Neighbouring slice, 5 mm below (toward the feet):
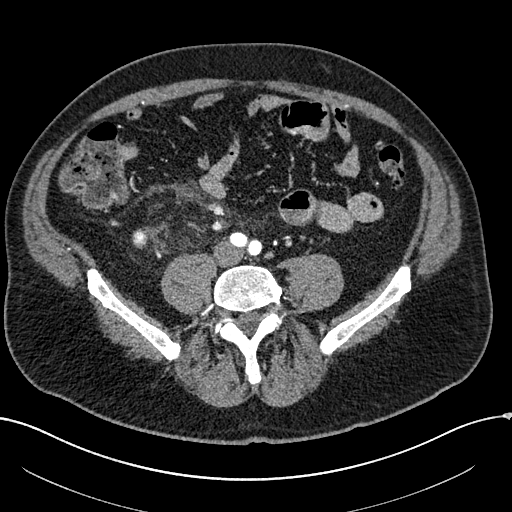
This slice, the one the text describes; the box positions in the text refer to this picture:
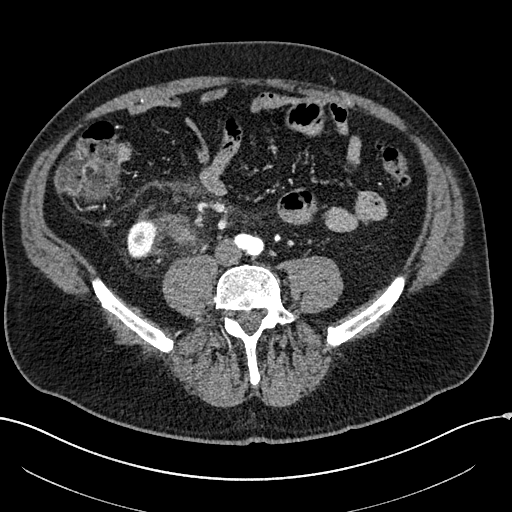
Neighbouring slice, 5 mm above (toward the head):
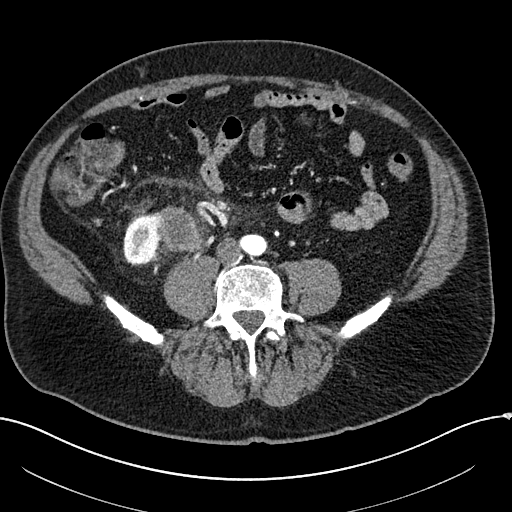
Abdominal CT with intravenous contrast, arterial phase, axial plane, 100 kVp, kernel I30f. Slice 26/304 from the bottom of the scan; thickness 2.00 mm; pixel size 0.809 mm.
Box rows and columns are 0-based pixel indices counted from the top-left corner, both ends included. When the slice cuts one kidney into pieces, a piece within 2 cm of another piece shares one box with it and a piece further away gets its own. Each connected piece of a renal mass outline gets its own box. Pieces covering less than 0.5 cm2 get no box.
Boxed on this slice (one kidney box and one renal mass box), listed by box centre from the image's left to its right: (1) Right kidney at rows 221–258, columns 127–156 (outlined area 912 px, about 6.0 cm2). (2) Box rows 213–244, columns 157–197: right renal mass (outlined area 858 px, about 5.6 cm2). This slice lies near the end of the right renal mass toward the feet; the slices 5 mm below and 5 mm above it are shown too, and the boxes mark positions on this slice only.